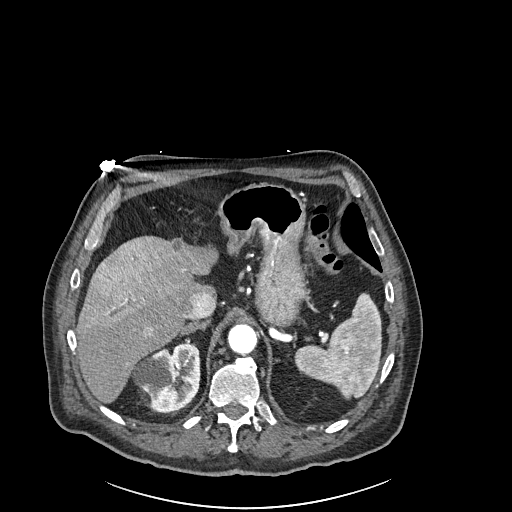
Abdominal CT with intravenous contrast, arterial phase, axial plane, 120 kVp, kernel I30f. Slice 181/261 from the bottom of the scan; thickness 2.00 mm; pixel size 0.939 mm.
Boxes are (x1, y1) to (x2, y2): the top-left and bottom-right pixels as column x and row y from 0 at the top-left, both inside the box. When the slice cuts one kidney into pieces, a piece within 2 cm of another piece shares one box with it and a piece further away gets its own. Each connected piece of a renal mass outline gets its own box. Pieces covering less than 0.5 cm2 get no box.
Right kidney, box (131, 342) to (200, 413) (outlined area 3,493 px, about 30.8 cm2). No renal mass is outlined on this slice.